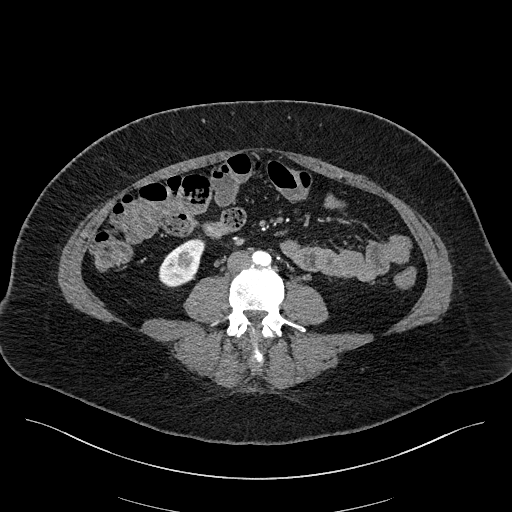
Abdominal CT with intravenous contrast, arterial phase, axial plane, 100 kVp, kernel I40f. Slice 49/270 from the bottom of the scan; thickness 2.00 mm; pixel size 0.855 mm.
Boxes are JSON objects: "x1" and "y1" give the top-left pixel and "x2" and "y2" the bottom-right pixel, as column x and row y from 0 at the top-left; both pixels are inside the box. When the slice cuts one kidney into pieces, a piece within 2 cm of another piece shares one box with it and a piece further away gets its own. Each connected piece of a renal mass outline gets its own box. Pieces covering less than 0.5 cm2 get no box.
Box {"x1": 159, "y1": 238, "x2": 205, "y2": 287}: right kidney (outlined area 1,536 px, about 11.2 cm2). This slice carries no renal mass outline.